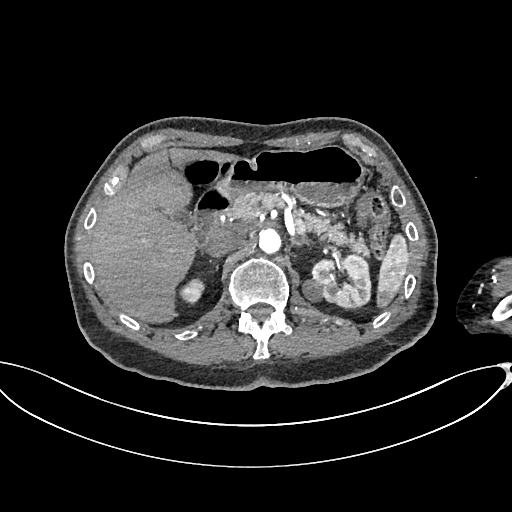
One axial slice (457 of 665, counting up from the lowest) of an arterial-phase abdominal CT acquired with 100 kVp, kernel I26f; each pixel is 0.828 mm and the slice is 1.00 mm thick.
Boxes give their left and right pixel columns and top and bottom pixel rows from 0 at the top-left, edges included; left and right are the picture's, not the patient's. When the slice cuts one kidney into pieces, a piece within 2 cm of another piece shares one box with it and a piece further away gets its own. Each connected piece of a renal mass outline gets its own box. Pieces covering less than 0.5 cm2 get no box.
Boxed on this slice (two kidney boxes and one renal mass box), listed by box centre from the image's left to its right: (1) Right kidney in the box with left 179, top 277, right 204, bottom 304 (outlined area 481 px, about 3.3 cm2). (2) Left renal mass, the box with left 302, top 278, right 322, bottom 301 (outlined area 376 px, about 2.6 cm2). (3) Left kidney in the box with left 311, top 254, right 371, bottom 308 (outlined area 2,500 px, about 17.1 cm2).